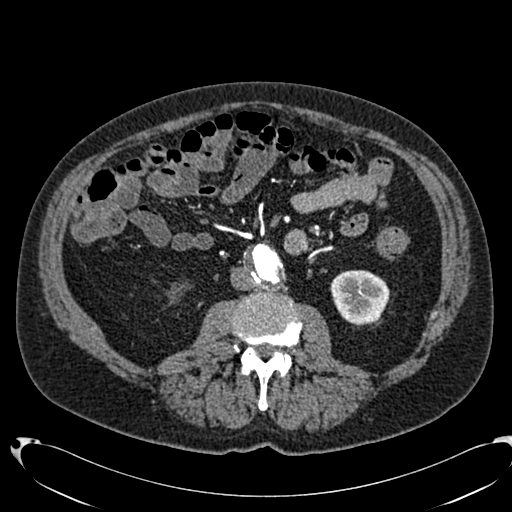
Abdominal CT with intravenous contrast, arterial phase, axial plane, 120 kVp, kernel B20f. Slice 346/553 from the bottom of the scan; thickness 1.00 mm; pixel size 0.773 mm.
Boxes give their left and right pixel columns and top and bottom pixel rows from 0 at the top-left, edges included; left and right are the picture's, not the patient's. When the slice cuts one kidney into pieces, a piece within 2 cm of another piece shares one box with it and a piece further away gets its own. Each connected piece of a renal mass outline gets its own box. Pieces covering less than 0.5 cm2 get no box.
Two kidney boxes on this slice; by box centre, from the image's left to its right: (1) Right kidney in the box with left 168, top 287, right 179, bottom 299 (outlined area 100 px, about 0.6 cm2). (2) Left kidney in the box with left 330, top 270, right 389, bottom 325 (outlined area 2,569 px, about 15.4 cm2). No renal mass outline on this slice.